Abdominal CT with intravenous contrast, arterial phase, axial plane, 120 kVp, kernel STANDARD. Slice 24/53 from the bottom of the scan; thickness 5.00 mm; pixel size 0.703 mm.
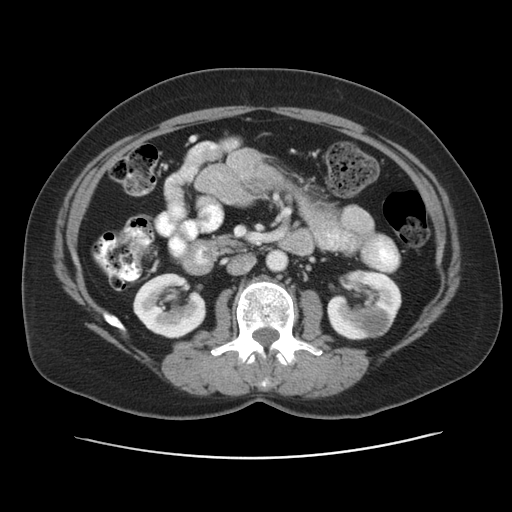
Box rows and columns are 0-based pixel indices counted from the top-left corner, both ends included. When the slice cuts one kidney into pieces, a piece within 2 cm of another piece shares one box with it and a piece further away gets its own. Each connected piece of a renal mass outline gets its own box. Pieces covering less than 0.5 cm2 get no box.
Three boxes on this slice (two kidney boxes and one renal mass box), listed by box centre from the image's left to its right. (1) Box rows 273–338, columns 133–206: right kidney (outlined area 3,523 px, about 17.4 cm2). (2) Left kidney, box rows 269–340, columns 327–401 (outlined area 3,017 px, about 14.9 cm2). (3) Box rows 304–337, columns 354–392: left renal mass (outlined area 1,016 px, about 5.0 cm2).